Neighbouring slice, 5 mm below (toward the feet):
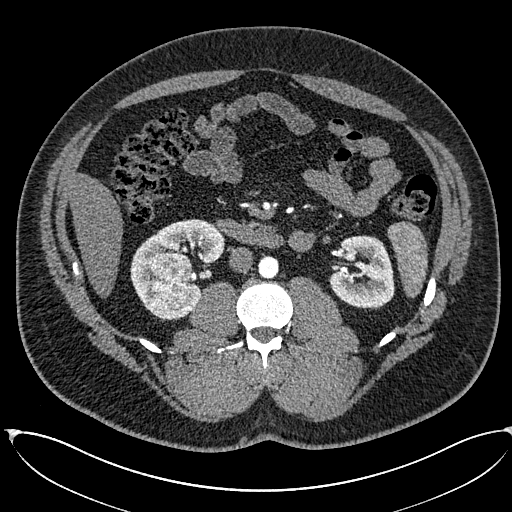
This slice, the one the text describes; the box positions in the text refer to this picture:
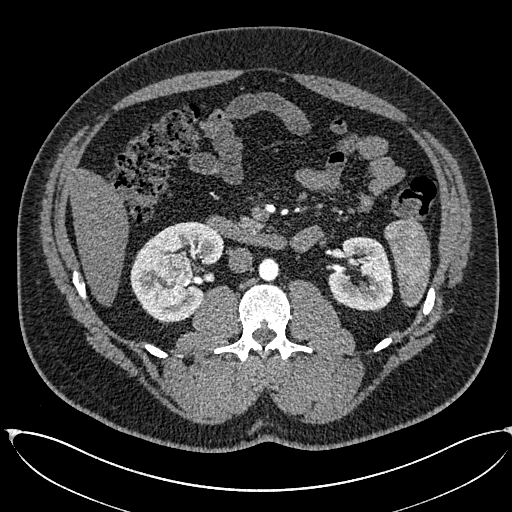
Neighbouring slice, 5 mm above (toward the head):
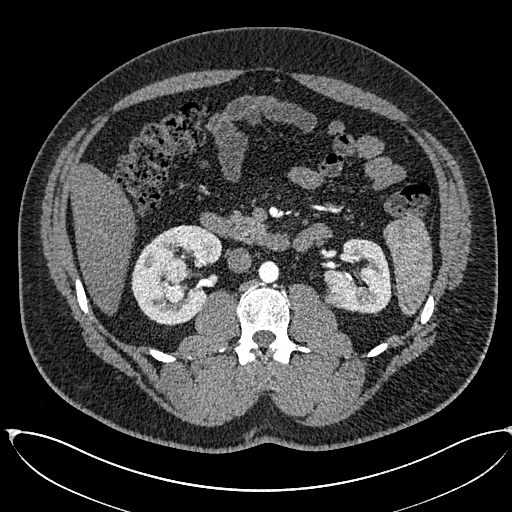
One axial slice (328 of 673, counting up from the lowest) of an arterial-phase abdominal CT acquired with 120 kVp, kernel I30f; each pixel is 0.855 mm and the slice is 1.00 mm thick.
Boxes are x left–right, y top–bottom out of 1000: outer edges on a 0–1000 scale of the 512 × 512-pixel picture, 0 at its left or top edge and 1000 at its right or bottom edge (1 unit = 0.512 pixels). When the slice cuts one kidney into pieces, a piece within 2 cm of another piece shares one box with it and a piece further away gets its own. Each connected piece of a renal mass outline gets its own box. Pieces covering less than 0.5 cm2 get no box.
Boxed on this slice (two kidney boxes and two renal mass boxes), listed by box centre from the image's left to its right: (1) Right renal mass at x 301–377, y 494–600 out of 1000 (outlined area 1,660 px, about 12.1 cm2). (2) Right kidney, box x 254–438, y 432–631 out of 1000 (outlined area 5,092 px, about 37.3 cm2). (3) Left renal mass, box x 648–672, y 570–594 out of 1000 (outlined area 95 px, about 0.7 cm2). (4) Left kidney at x 639–770, y 461–609 out of 1000 (outlined area 3,595 px, about 26.3 cm2). This slice is near the end of the left renal mass toward the feet, so the slices 5 mm below and 5 mm above it are shown as well; the boxes refer to this slice only.